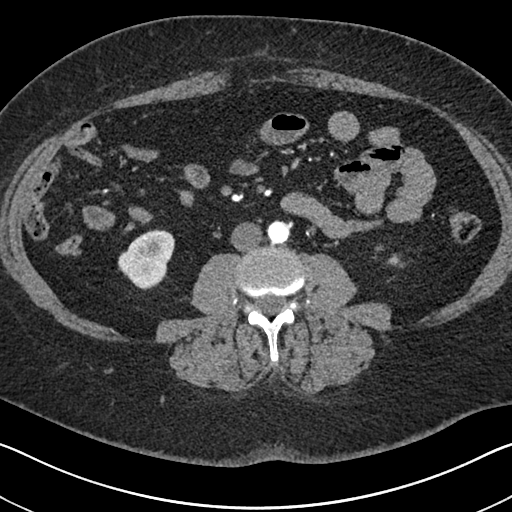
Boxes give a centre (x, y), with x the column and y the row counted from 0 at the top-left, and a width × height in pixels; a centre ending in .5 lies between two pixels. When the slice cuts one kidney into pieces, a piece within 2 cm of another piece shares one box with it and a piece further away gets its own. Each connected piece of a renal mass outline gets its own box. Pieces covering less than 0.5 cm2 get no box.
Slice 290/591 of a contrast-enhanced abdominal CT in the arterial phase, counting up from the lowest; pixel size 0.703 mm, slice thickness 1.00 mm. Two boxes on this slice (two kidney boxes), listed by box centre from the image's left to its right. (1) Right kidney in a box with centre (145.5, 259), 58 × 61 pixels (outlined area 2,411 px, about 11.9 cm2). (2) Left kidney in a box with centre (394.5, 260), 18 × 15 pixels (outlined area 148 px, about 0.7 cm2). No renal mass is outlined on this slice.
Scan settings: 140 kVp, I30f reconstruction kernel.